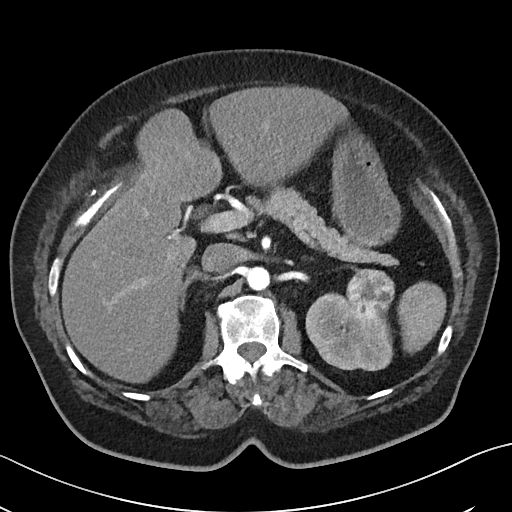
Contrast-enhanced abdominal CT, axial slice 29 of 50 (counted from the lowest slice); tube voltage 100 kVp, convolution kernel I40f; slices 5.00 mm thick, 0.723 mm per pixel.
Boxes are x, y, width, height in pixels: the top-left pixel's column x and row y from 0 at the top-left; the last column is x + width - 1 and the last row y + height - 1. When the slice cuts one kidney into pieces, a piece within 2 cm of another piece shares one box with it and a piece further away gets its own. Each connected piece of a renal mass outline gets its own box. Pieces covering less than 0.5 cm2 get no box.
Boxed on this slice (one kidney box and one renal mass box), listed by box centre from the image's left to its right: (1) Left kidney at x 305, y 292, width 89, height 80 (outlined area 4,732 px, about 24.7 cm2). (2) Left renal mass, box x 346, y 268, width 49, height 54 (outlined area 2,103 px, about 11.0 cm2).